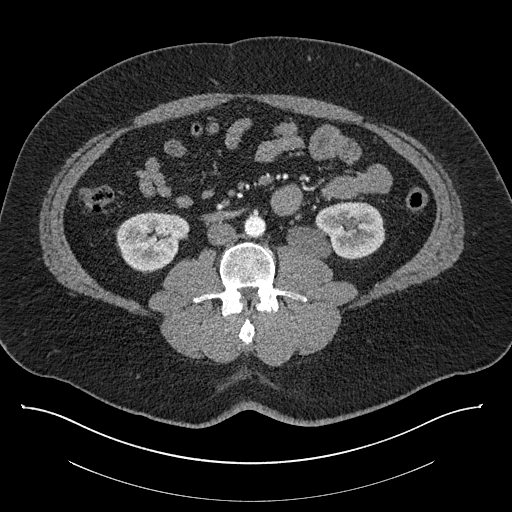
Axial slice 407 of 787 of a contrast-enhanced abdominal CT (slice 1 is the lowest), 140 kVp, kernel I30f; 1.00 mm slice thickness and 0.910 mm pixels.
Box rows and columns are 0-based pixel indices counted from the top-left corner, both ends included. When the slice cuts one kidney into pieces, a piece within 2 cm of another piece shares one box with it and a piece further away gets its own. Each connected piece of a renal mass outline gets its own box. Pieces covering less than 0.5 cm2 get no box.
Boxed on this slice (two kidney boxes), listed by box centre from the image's left to its right: (1) Right kidney at rows 211–271, columns 116–189 (outlined area 3,292 px, about 27.3 cm2). (2) Left kidney at rows 201–258, columns 286–384 (outlined area 4,145 px, about 34.3 cm2). This slice carries no renal mass outline.